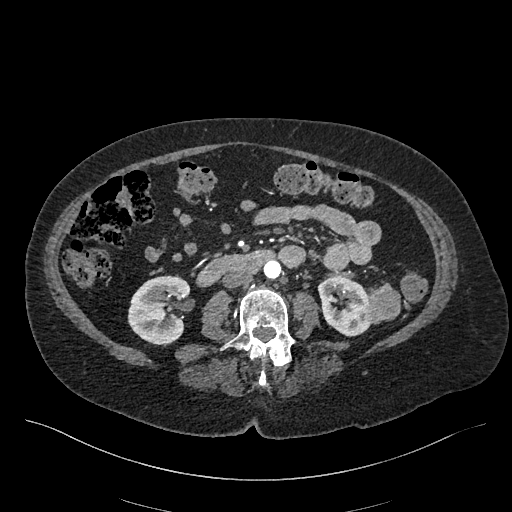
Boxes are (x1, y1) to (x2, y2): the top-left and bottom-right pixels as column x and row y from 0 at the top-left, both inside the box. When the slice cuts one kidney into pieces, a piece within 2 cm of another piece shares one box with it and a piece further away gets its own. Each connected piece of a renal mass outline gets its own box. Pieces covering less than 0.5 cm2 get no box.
Slice 206/548 of a contrast-enhanced abdominal CT in the arterial phase, counting up from the lowest; pixel size 0.852 mm, slice thickness 1.00 mm. Three boxes on this slice (two kidney boxes and one renal mass box), listed by box centre from the image's left to its right. (1) Right kidney from (127, 275) to (190, 346) (outlined area 3,421 px, about 24.8 cm2). (2) Left kidney from (317, 276) to (370, 336) (outlined area 2,360 px, about 17.1 cm2). (3) Box (363, 282) to (400, 324): left renal mass (outlined area 1,135 px, about 8.2 cm2).
Acquired at 120 kVp and reconstructed with the I26f kernel.